Arterial-phase contrast-enhanced abdominal CT, axial slice 100 of 159 (counted from the lowest slice); tube voltage 140 kVp, convolution kernel B30f; slices 3.00 mm thick, 0.977 mm per pixel.
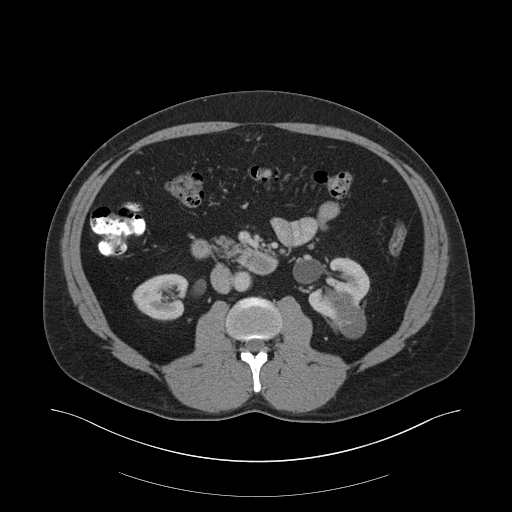
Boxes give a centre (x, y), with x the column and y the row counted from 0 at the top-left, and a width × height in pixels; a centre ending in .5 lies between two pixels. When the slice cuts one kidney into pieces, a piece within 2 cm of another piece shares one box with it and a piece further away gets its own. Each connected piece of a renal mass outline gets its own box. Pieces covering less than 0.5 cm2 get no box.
Two kidney boxes and one renal mass box on this slice; by box centre, from the image's left to its right: (1) Box centre (160, 296.5), 57 × 48 pixels: right kidney (outlined area 2,056 px, about 19.6 cm2). (2) Box centre (338.5, 291.5), 62 × 70 pixels: left kidney (outlined area 2,132 px, about 20.3 cm2). (3) Box centre (349, 314.5), 33 × 46 pixels: left renal mass (outlined area 1,073 px, about 10.2 cm2).